Axial slice 319 of 433 of a contrast-enhanced abdominal CT (slice 1 is the lowest), 120 kVp, kernel B30f; 1.00 mm slice thickness and 0.672 mm pixels.
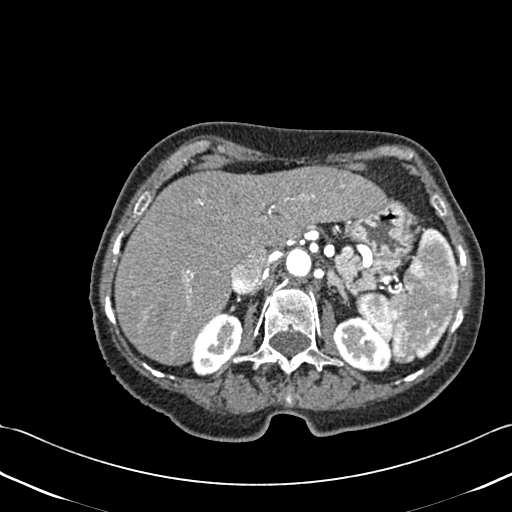
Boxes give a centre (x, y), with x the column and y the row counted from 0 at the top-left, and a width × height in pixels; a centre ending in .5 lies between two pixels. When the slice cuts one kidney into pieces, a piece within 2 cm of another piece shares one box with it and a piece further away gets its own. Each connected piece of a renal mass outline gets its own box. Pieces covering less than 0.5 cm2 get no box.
Boxed on this slice (two kidney boxes), listed by box centre from the image's left to its right: (1) Right kidney, box centre (217, 344), 51 × 65 pixels (outlined area 2,218 px, about 10.0 cm2). (2) Box centre (362.5, 343.5), 60 × 56 pixels: left kidney (outlined area 2,366 px, about 10.7 cm2). No renal mass outline on this slice.